One axial slice (29 of 94, counting up from the lowest) of an arterial-phase abdominal CT acquired with 100 kVp, kernel I41f; each pixel is 0.551 mm and the slice is 5.00 mm thick.
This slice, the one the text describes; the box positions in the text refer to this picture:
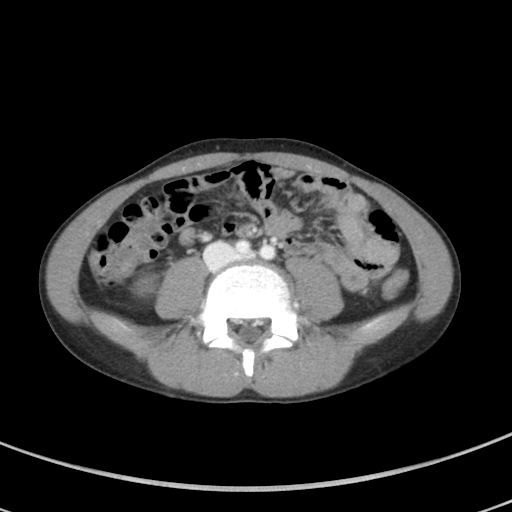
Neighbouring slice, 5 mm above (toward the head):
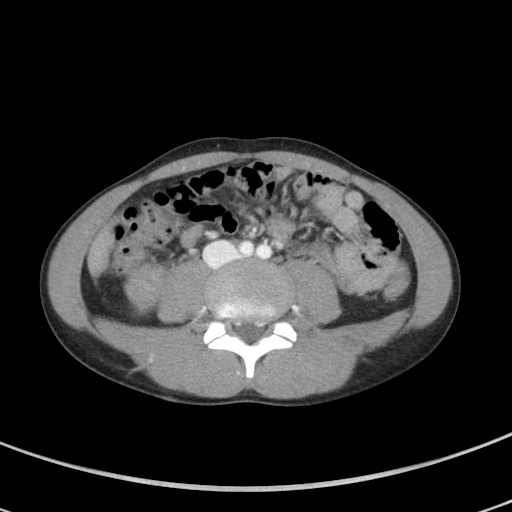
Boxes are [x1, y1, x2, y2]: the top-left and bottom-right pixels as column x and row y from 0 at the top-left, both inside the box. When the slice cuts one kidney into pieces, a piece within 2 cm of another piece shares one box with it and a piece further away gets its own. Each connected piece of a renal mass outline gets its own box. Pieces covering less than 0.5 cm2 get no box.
Right renal mass at [129, 267, 161, 299] (outlined area 693 px, about 2.1 cm2); no kidney is outlined on this slice, but the same outlined renal mass comes within 1 cm of the kidney on another slice. This slice is near the end of the right renal mass toward the feet, so the slice 5 mm above it is shown as well; the boxes refer to this slice only.